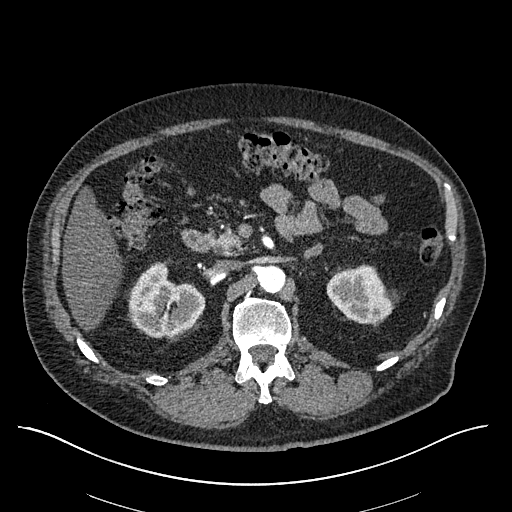
One axial slice (371 of 670, counting up from the lowest) of an arterial-phase abdominal CT acquired with 120 kVp, kernel I30f; each pixel is 0.861 mm and the slice is 1.00 mm thick.
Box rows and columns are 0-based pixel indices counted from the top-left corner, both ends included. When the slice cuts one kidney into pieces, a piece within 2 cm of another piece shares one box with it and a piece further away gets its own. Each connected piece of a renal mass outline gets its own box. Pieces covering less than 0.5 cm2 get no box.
Two boxes on this slice (two kidney boxes), listed by box centre from the image's left to its right. (1) Right kidney, box rows 261–338, columns 128–205 (outlined area 4,002 px, about 29.7 cm2). (2) Box rows 264–324, columns 326–397: left kidney (outlined area 2,962 px, about 22.0 cm2). This slice carries no renal mass outline.